Axial slice 105 of 178 of a contrast-enhanced abdominal CT (slice 1 is the lowest), 100 kVp, kernel I30f; 5.00 mm slice thickness and 0.650 mm pixels.
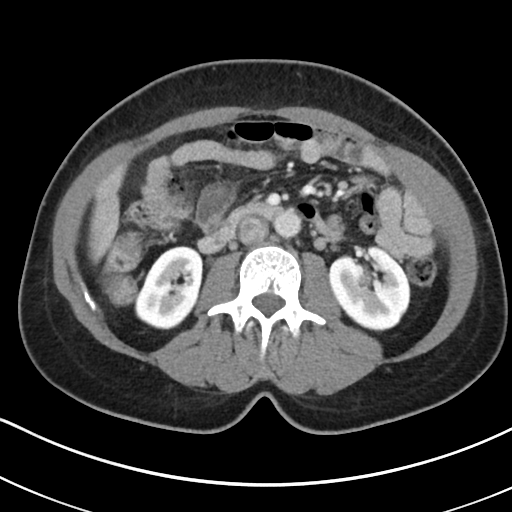
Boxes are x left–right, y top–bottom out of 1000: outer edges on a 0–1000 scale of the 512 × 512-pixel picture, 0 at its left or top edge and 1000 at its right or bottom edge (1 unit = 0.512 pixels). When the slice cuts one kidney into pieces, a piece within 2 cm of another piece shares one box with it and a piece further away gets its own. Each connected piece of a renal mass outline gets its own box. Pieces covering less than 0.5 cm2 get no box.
Boxed on this slice (two kidney boxes), listed by box centre from the image's left to its right: (1) Box x 262–398, y 480–645 out of 1000: right kidney (outlined area 4,196 px, about 17.7 cm2). (2) Left kidney at x 641–803, y 477–648 out of 1000 (outlined area 5,253 px, about 22.2 cm2). No renal mass outline on this slice.